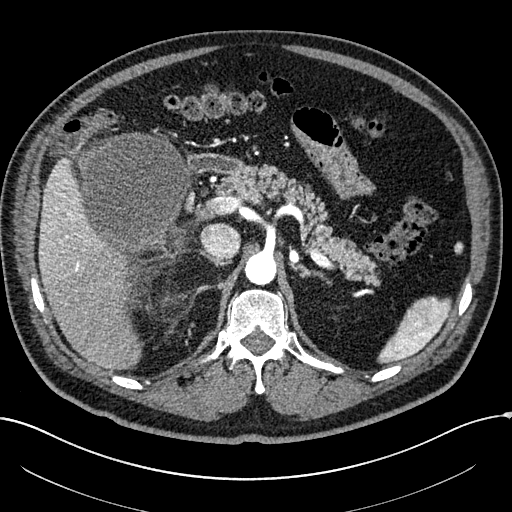
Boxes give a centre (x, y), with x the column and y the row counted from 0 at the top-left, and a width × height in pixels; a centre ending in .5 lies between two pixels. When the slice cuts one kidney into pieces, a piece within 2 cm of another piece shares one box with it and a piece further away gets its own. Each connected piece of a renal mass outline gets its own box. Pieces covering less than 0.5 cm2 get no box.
This is axial slice 169 of 304 (slice 1 is the lowest) of an arterial-phase abdominal CT with contrast; each pixel is 0.809 mm and the slice is 2.00 mm thick. Box centre (135, 194.5), 115 × 126 pixels: right renal mass (outlined area 10,885 px, about 71.2 cm2); here it is more than 1 cm from any kidney outline, though on another slice the same outlined renal mass lies within 1 cm of the kidney.
Acquired at 100 kVp and reconstructed with the I30f kernel.